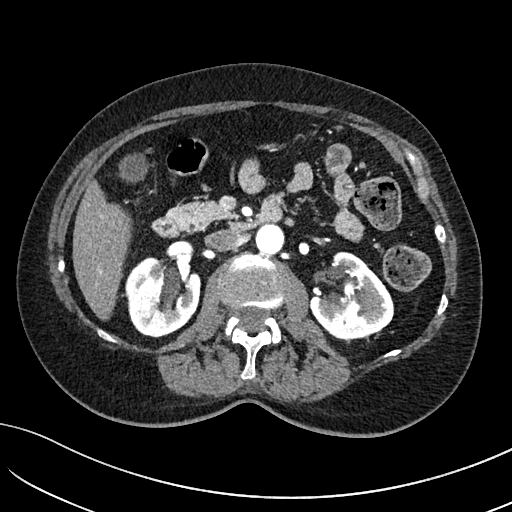
Axial slice 68 of 234 of a contrast-enhanced abdominal CT in the arterial phase (slice 1 is the lowest), 100 kVp, kernel I40f; 2.00 mm slice thickness and 0.699 mm pixels.
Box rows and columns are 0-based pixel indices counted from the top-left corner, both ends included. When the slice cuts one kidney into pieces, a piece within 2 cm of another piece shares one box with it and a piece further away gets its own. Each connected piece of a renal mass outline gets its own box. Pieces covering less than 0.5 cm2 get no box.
Two kidney boxes on this slice; by box centre, from the image's left to its right: (1) Box rows 257–337, columns 125–200: right kidney (outlined area 4,694 px, about 22.9 cm2). (2) Box rows 251–339, columns 307–394: left kidney (outlined area 5,119 px, about 25.0 cm2). No renal mass outline on this slice.